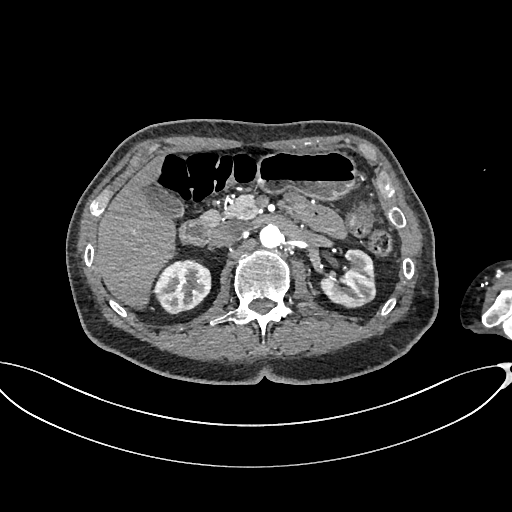
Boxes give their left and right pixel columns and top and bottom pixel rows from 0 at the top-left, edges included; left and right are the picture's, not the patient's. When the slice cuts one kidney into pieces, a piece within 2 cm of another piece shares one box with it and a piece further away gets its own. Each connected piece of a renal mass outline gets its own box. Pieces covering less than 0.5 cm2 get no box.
Arterial-phase contrast-enhanced abdominal CT, axial slice 428 of 665 (counted from the lowest slice); 1.00 mm thick, 0.828 mm per pixel. Boxed on this slice (two kidney boxes), listed by box centre from the image's left to its right: (1) Right kidney, the box with left 154, top 259, right 211, bottom 314 (outlined area 2,448 px, about 16.8 cm2). (2) Left kidney, the box with left 320, top 249, right 376, bottom 308 (outlined area 2,298 px, about 15.8 cm2).
Scan settings: 100 kVp, I26f reconstruction kernel.